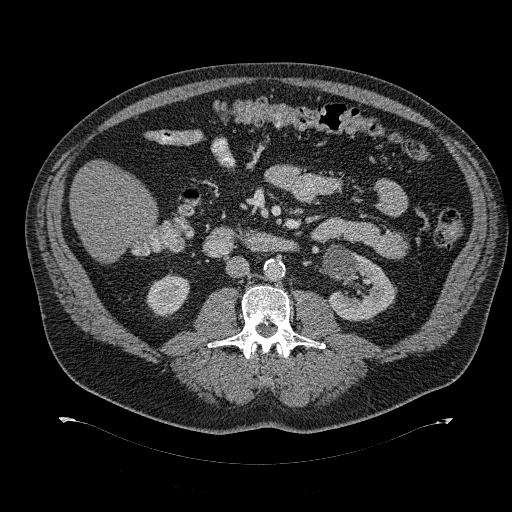
Abdominal CT with intravenous contrast, axial plane, 120 kVp, kernel B31f. Slice 166/274 from the bottom of the scan; thickness 2.00 mm; pixel size 0.977 mm.
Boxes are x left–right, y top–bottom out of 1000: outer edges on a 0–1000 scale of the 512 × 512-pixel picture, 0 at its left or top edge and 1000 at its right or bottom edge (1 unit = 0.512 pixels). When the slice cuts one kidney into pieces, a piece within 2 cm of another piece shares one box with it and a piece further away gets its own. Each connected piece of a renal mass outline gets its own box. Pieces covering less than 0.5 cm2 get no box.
Two boxes on this slice (two kidney boxes), listed by box centre from the image's left to its right. (1) Right kidney at x 285–371, y 529–621 out of 1000 (outlined area 1,380 px, about 13.2 cm2). (2) Left kidney, box x 629–775, y 477–627 out of 1000 (outlined area 3,574 px, about 34.1 cm2). This slice carries no renal mass outline.